Arterial-phase contrast-enhanced abdominal CT, axial slice 536 of 987 (counted from the lowest slice); tube voltage 120 kVp, convolution kernel I26f; slices 1.00 mm thick, 0.977 mm per pixel.
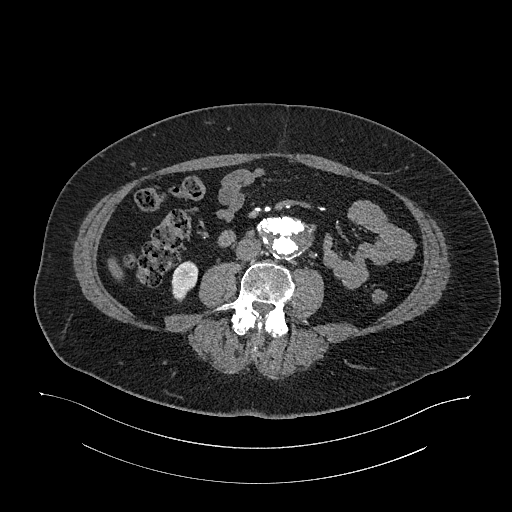
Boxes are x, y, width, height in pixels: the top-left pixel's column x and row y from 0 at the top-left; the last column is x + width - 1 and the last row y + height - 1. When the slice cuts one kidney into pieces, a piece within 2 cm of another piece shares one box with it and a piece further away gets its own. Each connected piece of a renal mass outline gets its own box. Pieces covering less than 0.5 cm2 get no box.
Right kidney at x 171, y 261, width 28, height 41 (outlined area 793 px, about 7.6 cm2). No renal mass is outlined on this slice.